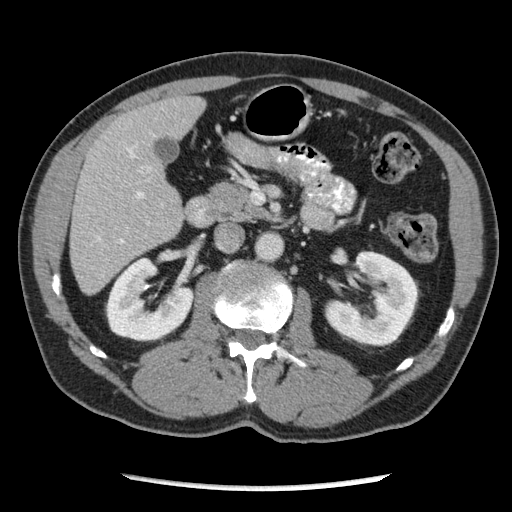
Abdominal CT with intravenous contrast, arterial phase, axial plane, 120 kVp, kernel STANDARD. Slice 123/262 from the bottom of the scan; thickness 2.50 mm; pixel size 0.703 mm.
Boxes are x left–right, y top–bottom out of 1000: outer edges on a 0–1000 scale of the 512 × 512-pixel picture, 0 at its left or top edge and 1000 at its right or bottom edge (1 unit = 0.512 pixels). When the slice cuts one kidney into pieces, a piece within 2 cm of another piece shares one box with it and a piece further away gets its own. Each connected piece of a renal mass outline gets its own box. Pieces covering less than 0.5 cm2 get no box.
Two boxes on this slice (two kidney boxes), listed by box centre from the image's left to its right. (1) Right kidney, box x 207–379, y 502–668 out of 1000 (outlined area 5,035 px, about 24.9 cm2). (2) Box x 631–816, y 488–678 out of 1000: left kidney (outlined area 6,168 px, about 30.5 cm2). No renal mass is outlined on this slice.